Axial slice 144 of 199 of a contrast-enhanced abdominal CT in the arterial phase (slice 1 is the lowest), 120 kVp, kernel STANDARD; 2.50 mm slice thickness and 0.789 mm pixels.
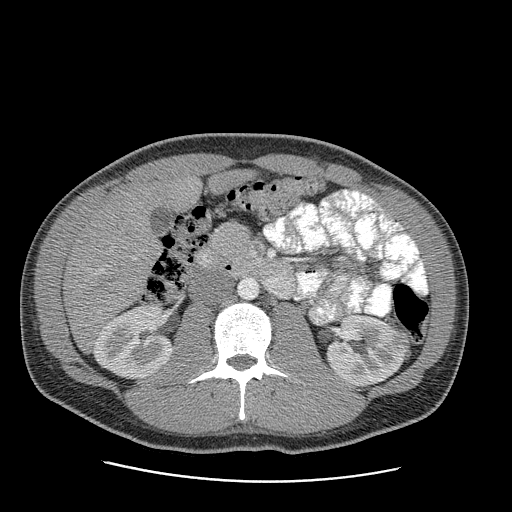
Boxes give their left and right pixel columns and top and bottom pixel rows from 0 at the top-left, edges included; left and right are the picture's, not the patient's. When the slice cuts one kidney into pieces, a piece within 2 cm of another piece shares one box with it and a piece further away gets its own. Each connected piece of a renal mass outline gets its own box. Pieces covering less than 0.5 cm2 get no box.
Three boxes on this slice (two kidney boxes and one renal mass box), listed by box centre from the image's left to its right. (1) Right kidney in the box with left 93, top 304, right 171, bottom 379 (outlined area 4,338 px, about 27.0 cm2). (2) Box with left 326, top 314, right 402, bottom 386: left kidney (outlined area 3,952 px, about 24.6 cm2). (3) Left renal mass in the box with left 388, top 331, right 411, bottom 360 (outlined area 507 px, about 3.2 cm2).